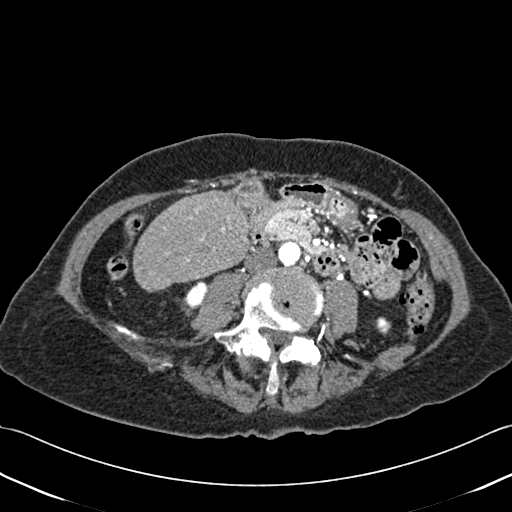
Contrast-enhanced abdominal CT, axial slice 162 of 433 (counted from the lowest slice); tube voltage 120 kVp, convolution kernel B30f; slices 1.00 mm thick, 0.672 mm per pixel.
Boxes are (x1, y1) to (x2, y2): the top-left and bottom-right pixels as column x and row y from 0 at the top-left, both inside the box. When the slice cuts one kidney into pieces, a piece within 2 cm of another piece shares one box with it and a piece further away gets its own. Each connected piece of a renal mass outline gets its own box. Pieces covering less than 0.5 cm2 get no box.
Two kidney boxes on this slice; by box centre, from the image's left to its right: (1) Right kidney from (182, 281) to (208, 310) (outlined area 477 px, about 2.2 cm2). (2) Left kidney from (375, 316) to (391, 335) (outlined area 222 px, about 1.0 cm2). This slice carries no renal mass outline.